One axial slice (347 of 581, counting up from the lowest) of an arterial-phase abdominal CT acquired with 120 kVp, kernel B30f; each pixel is 0.713 mm and the slice is 1.00 mm thick.
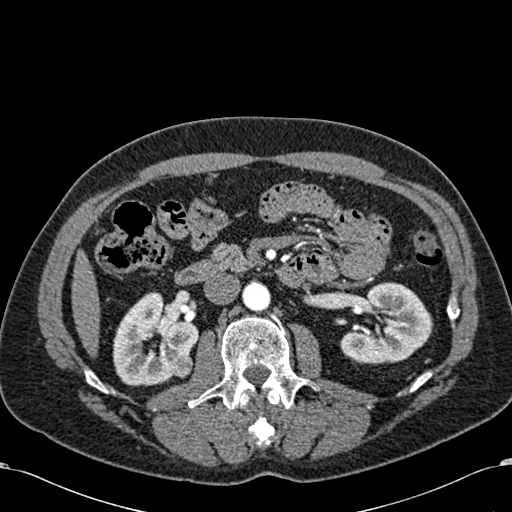
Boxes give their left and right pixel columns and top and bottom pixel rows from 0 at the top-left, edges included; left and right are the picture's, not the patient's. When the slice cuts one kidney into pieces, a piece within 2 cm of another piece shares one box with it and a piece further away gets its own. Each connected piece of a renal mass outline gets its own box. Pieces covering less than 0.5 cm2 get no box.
Two kidney boxes and one renal mass box on this slice; by box centre, from the image's left to its right: (1) Box with left 112, top 291, right 198, bottom 386: right kidney (outlined area 5,339 px, about 27.1 cm2). (2) Box with left 169, top 352, right 193, bottom 378: right renal mass (outlined area 492 px, about 2.5 cm2). (3) Left kidney, the box with left 339, top 282, right 433, bottom 364 (outlined area 5,209 px, about 26.5 cm2).